Axial slice 107 of 178 of a contrast-enhanced abdominal CT (slice 1 is the lowest), 120 kVp, kernel B; 3.00 mm slice thickness and 0.818 mm pixels.
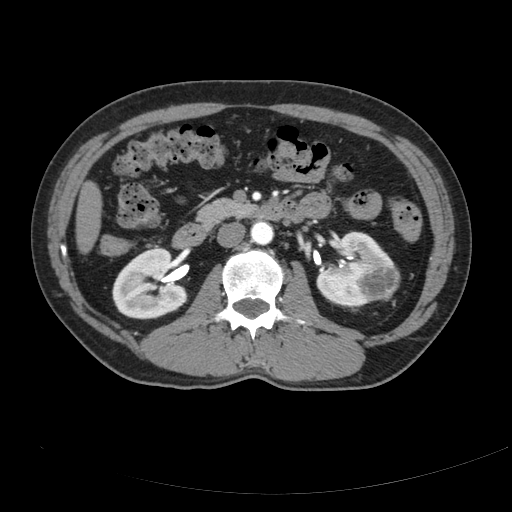
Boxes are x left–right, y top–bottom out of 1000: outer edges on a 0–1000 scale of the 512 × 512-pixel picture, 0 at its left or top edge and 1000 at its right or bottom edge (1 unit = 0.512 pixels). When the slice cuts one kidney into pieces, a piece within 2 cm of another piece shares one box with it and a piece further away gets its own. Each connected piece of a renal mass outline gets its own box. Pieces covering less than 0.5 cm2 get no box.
Two kidney boxes and one renal mass box on this slice; by box centre, from the image's left to its right: (1) Right kidney at x 219–367, y 484–625 out of 1000 (outlined area 4,062 px, about 27.2 cm2). (2) Left kidney at x 615–773, y 451–602 out of 1000 (outlined area 3,273 px, about 21.9 cm2). (3) Box x 697–783, y 518–590 out of 1000: left renal mass (outlined area 1,239 px, about 8.3 cm2).